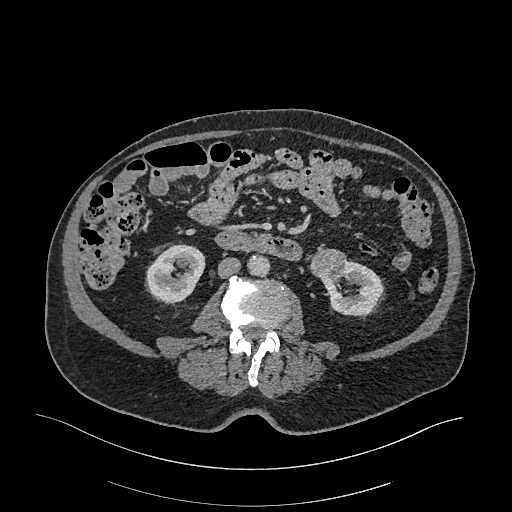
Arterial-phase contrast-enhanced abdominal CT, axial slice 107 of 470 (counted from the lowest slice); tube voltage 120 kVp, convolution kernel I26f; slices 1.00 mm thick, 0.938 mm per pixel.
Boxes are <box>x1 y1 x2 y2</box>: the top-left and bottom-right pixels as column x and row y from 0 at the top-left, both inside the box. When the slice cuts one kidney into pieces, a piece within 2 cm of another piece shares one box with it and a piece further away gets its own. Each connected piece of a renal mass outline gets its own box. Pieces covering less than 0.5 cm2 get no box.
Three boxes on this slice (two kidney boxes and one renal mass box), listed by box centre from the image's left to its right. (1) Right kidney at <box>146 244 205 304</box> (outlined area 2,623 px, about 23.1 cm2). (2) At <box>309 248 346 279</box>: left renal mass (outlined area 931 px, about 8.2 cm2). (3) Left kidney: <box>320 260 383 316</box> (outlined area 2,233 px, about 19.6 cm2).